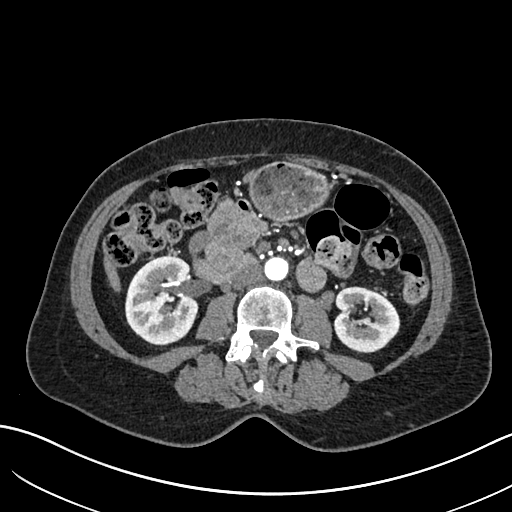
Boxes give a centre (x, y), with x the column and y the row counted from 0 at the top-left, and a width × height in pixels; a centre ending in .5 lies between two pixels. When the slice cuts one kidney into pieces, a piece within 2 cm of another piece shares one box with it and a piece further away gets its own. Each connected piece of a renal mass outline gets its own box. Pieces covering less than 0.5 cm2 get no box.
This is axial slice 325 of 683 (slice 1 is the lowest) of an arterial-phase abdominal CT with contrast; each pixel is 0.738 mm and the slice is 1.00 mm thick. Boxed on this slice (two kidney boxes), listed by box centre from the image's left to its right: (1) Right kidney in a box with centre (161.5, 301.5), 74 × 88 pixels (outlined area 5,171 px, about 28.2 cm2). (2) Box centre (366, 319), 69 × 67 pixels: left kidney (outlined area 3,381 px, about 18.4 cm2). This slice carries no renal mass outline.
Acquired at 120 kVp and reconstructed with the I30f kernel.